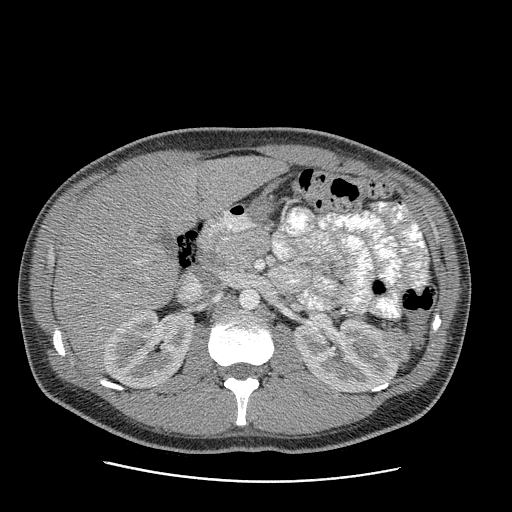
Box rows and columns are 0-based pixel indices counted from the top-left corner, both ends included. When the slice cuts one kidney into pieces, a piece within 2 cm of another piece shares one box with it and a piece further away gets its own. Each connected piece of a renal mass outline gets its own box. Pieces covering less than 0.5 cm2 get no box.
Arterial-phase contrast-enhanced abdominal CT, axial slice 155 of 199 (counted from the lowest slice); 2.50 mm thick, 0.789 mm per pixel. Two kidney boxes and one renal mass box on this slice; by box centre, from the image's left to its right: (1) Right kidney at rows 310–388, columns 103–194 (outlined area 5,397 px, about 33.6 cm2). (2) Left kidney at rows 318–392, columns 293–399 (outlined area 5,720 px, about 35.6 cm2). (3) Left renal mass at rows 326–363, columns 381–410 (outlined area 811 px, about 5.0 cm2).
Acquired at 120 kVp and reconstructed with the STANDARD kernel.